Abdominal CT with intravenous contrast, arterial phase, axial plane, 120 kVp, kernel B30f. Slice 43/66 from the bottom of the scan; thickness 5.00 mm; pixel size 0.678 mm.
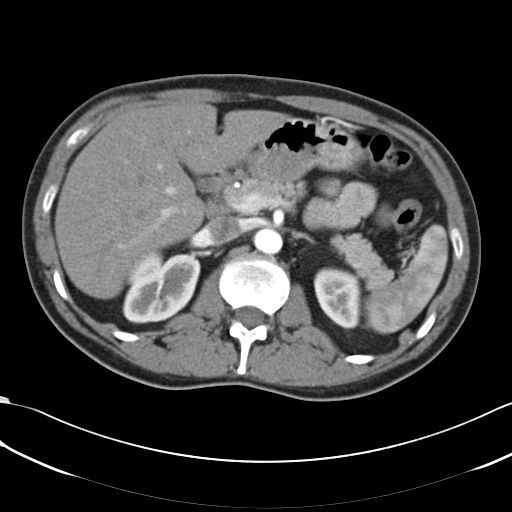
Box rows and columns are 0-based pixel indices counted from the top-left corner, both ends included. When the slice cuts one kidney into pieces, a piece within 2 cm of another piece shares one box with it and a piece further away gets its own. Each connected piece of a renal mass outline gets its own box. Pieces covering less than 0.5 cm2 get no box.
Two boxes on this slice (two kidney boxes), listed by box centre from the image's left to its right. (1) Right kidney at rows 248–323, columns 122–200 (outlined area 4,435 px, about 20.4 cm2). (2) Left kidney, box rows 267–329, columns 313–360 (outlined area 2,259 px, about 10.4 cm2). No renal mass is outlined on this slice.